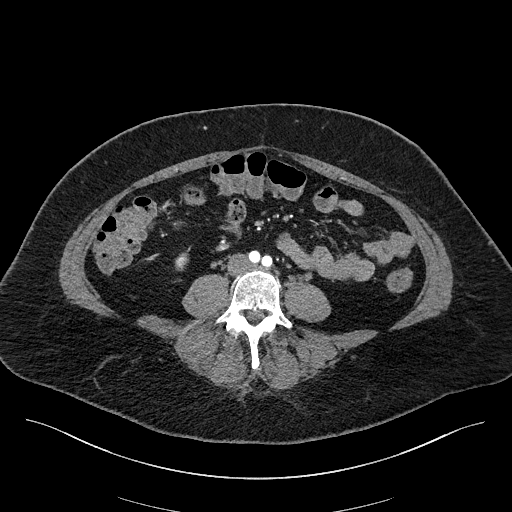
One axial slice (40 of 270, counting up from the lowest) of an arterial-phase abdominal CT acquired with 100 kVp, kernel I40f; each pixel is 0.855 mm and the slice is 2.00 mm thick.
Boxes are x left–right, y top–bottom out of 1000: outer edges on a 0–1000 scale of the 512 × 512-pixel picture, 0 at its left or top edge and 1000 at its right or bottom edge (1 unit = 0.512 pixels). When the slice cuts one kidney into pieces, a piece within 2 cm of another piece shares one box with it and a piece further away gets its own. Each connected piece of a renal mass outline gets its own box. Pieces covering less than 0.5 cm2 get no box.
Right kidney, box x 342–369, y 490–529 out of 1000 (outlined area 194 px, about 1.4 cm2). No renal mass is outlined on this slice.